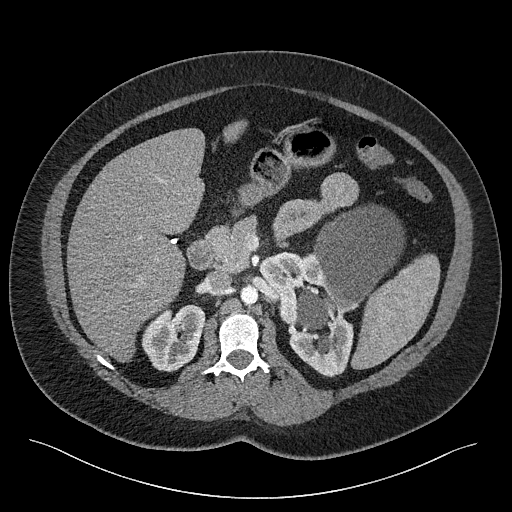
One axial slice (152 of 301, counting up from the lowest) of a contrast-enhanced abdominal CT acquired with 120 kVp, kernel I40f; each pixel is 0.859 mm and the slice is 2.00 mm thick.
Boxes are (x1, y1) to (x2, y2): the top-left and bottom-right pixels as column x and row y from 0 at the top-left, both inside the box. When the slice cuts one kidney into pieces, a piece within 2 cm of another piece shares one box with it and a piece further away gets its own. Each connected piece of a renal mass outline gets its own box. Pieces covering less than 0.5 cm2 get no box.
Three boxes on this slice (two kidney boxes and one renal mass box), listed by box centre from the image's left to its right. (1) Box (141, 304) to (205, 372): right kidney (outlined area 3,101 px, about 22.9 cm2). (2) Box (258, 251) to (353, 377): left kidney (outlined area 5,292 px, about 39.1 cm2). (3) Box (295, 204) to (404, 330): left renal mass (outlined area 7,930 px, about 58.6 cm2).